Arterial-phase contrast-enhanced abdominal CT, axial slice 97 of 145 (counted from the lowest slice); tube voltage 100 kVp, convolution kernel I40f; slices 3.00 mm thick, 0.834 mm per pixel.
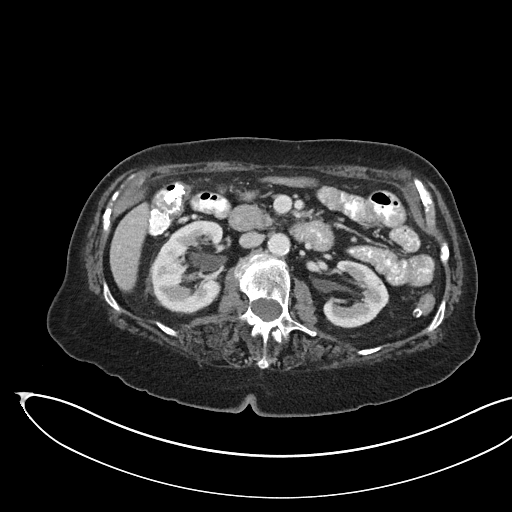
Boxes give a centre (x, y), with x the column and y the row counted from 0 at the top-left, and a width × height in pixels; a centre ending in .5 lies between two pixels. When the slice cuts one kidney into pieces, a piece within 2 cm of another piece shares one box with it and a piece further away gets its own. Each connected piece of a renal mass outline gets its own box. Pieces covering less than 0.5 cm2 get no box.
Two kidney boxes on this slice; by box centre, from the image's left to its right: (1) Kidney, box centre (187, 266), 73 × 93 pixels (outlined area 5,220 px, about 36.3 cm2). (2) Kidney, box centre (355, 293.5), 67 × 68 pixels (outlined area 2,886 px, about 20.1 cm2). No renal mass is outlined on this slice.